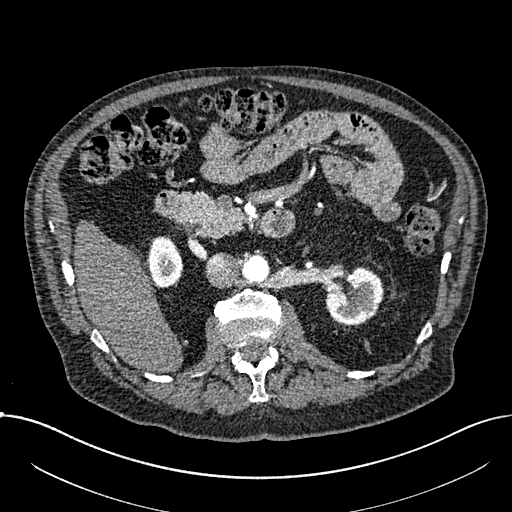
One axial slice (417 of 1059, counting up from the lowest) of an arterial-phase abdominal CT acquired with 100 kVp, kernel I30f; each pixel is 0.811 mm and the slice is 1.00 mm thick.
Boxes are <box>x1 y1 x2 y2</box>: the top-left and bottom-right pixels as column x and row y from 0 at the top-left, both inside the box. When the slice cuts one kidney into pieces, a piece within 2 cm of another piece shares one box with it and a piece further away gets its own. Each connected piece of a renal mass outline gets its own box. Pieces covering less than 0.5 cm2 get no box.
Boxed on this slice (two kidney boxes), listed by box centre from the image's left to its right: (1) Right part of the midline-crossing kidney: <box>148 236 182 288</box> (outlined area 1,472 px, about 9.7 cm2). (2) At <box>325 266 383 325</box>: left part of the midline-crossing kidney (outlined area 2,487 px, about 16.3 cm2). No renal mass is outlined on this slice.